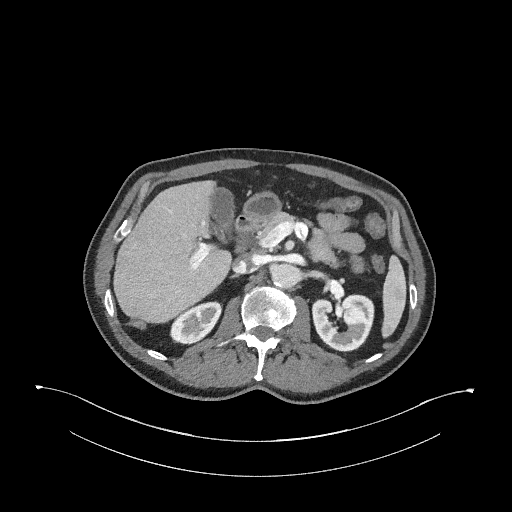
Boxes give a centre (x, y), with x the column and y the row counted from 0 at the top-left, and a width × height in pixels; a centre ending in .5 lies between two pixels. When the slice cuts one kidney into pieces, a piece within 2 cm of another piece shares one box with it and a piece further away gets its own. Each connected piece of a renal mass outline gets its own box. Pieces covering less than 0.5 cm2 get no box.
Slice 167/345 of a contrast-enhanced abdominal CT in the arterial phase, counting up from the lowest; pixel size 0.977 mm, slice thickness 2.00 mm. Two boxes on this slice (two kidney boxes), listed by box centre from the image's left to its right. (1) Right kidney in a box with centre (195.5, 322.5), 54 × 44 pixels (outlined area 1,565 px, about 14.9 cm2). (2) Box centre (342.5, 322.5), 64 × 60 pixels: left kidney (outlined area 2,897 px, about 27.6 cm2). No renal mass outline on this slice.
Scan settings: 120 kVp, I31f reconstruction kernel.